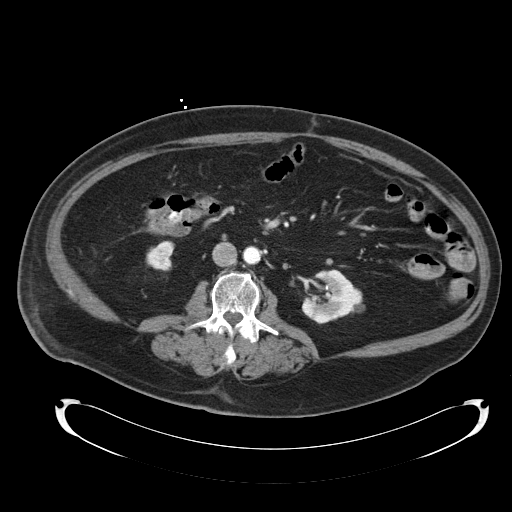
Contrast-enhanced abdominal CT, axial slice 54 of 92 (counted from the lowest slice); tube voltage 120 kVp, convolution kernel B30f; slices 5.00 mm thick, 0.918 mm per pixel.
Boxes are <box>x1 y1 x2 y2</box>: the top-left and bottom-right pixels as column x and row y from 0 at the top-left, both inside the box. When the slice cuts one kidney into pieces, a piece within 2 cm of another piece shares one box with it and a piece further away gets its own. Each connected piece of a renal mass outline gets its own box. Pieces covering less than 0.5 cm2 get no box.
Two kidney boxes on this slice; by box centre, from the image's left to its right: (1) Right kidney at <box>145 242 174 271</box> (outlined area 653 px, about 5.5 cm2). (2) Left kidney at <box>302 269 364 324</box> (outlined area 2,358 px, about 19.9 cm2). No renal mass outline on this slice.